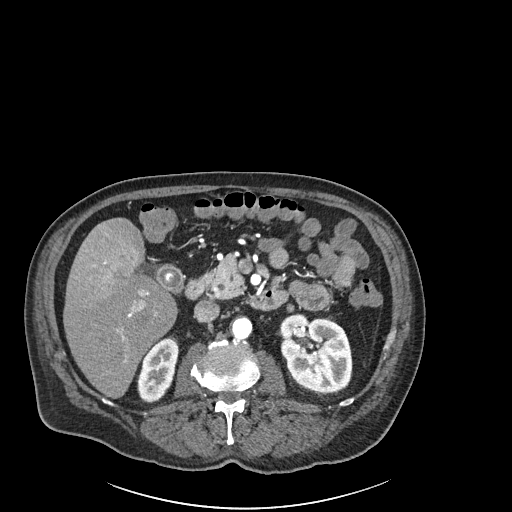
Abdominal CT with intravenous contrast, arterial phase, axial plane, 120 kVp, kernel I30f. Slice 111/261 from the bottom of the scan; thickness 2.00 mm; pixel size 0.939 mm.
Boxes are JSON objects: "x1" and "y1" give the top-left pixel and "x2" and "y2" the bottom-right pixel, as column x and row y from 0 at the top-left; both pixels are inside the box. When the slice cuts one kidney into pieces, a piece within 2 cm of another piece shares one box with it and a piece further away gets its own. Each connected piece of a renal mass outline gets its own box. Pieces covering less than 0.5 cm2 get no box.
Two boxes on this slice (two kidney boxes), listed by box centre from the image's left to its right. (1) Box {"x1": 137, "y1": 338, "x2": 179, "y2": 402}: right kidney (outlined area 1,941 px, about 17.1 cm2). (2) Left kidney, box {"x1": 280, "y1": 312, "x2": 352, "y2": 392} (outlined area 4,559 px, about 40.2 cm2). This slice carries no renal mass outline.